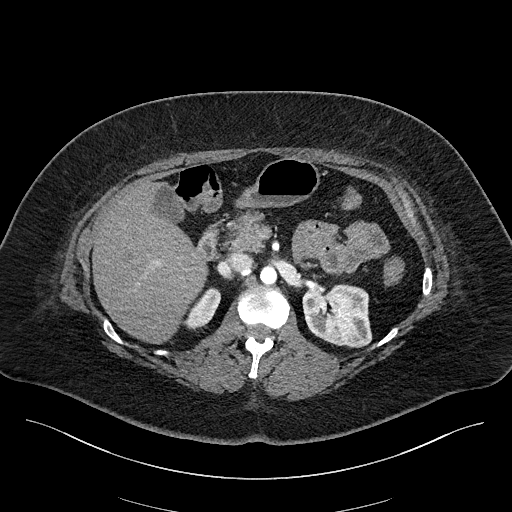
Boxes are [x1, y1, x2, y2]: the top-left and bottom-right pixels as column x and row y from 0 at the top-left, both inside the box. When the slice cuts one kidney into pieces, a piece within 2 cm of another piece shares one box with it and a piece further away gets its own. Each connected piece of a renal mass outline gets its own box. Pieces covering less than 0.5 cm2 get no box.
This is axial slice 127 of 270 (slice 1 is the lowest) of an arterial-phase abdominal CT with contrast; each pixel is 0.855 mm and the slice is 2.00 mm thick. Two boxes on this slice (two kidney boxes), listed by box centre from the image's left to its right. (1) Box [185, 287, 220, 330]: right kidney (outlined area 880 px, about 6.4 cm2). (2) Box [302, 283, 372, 347]: left kidney (outlined area 3,655 px, about 26.7 cm2). No renal mass outline on this slice.
Tube voltage 100 kVp; convolution kernel I40f.